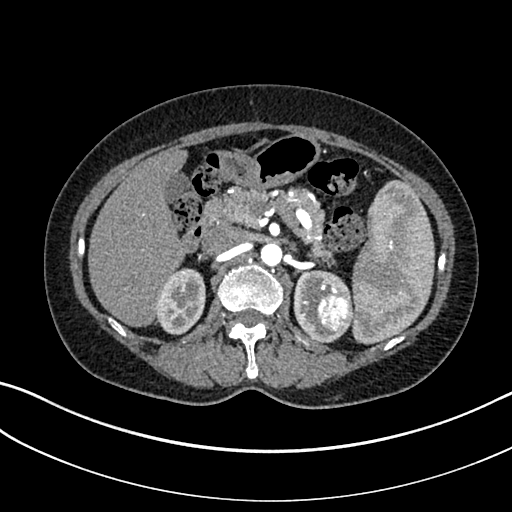
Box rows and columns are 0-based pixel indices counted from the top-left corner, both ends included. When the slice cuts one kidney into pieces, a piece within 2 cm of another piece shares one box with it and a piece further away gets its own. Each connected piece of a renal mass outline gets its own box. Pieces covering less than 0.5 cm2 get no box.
Slice 207/325 of a contrast-enhanced abdominal CT in the arterial phase, counting up from the lowest; pixel size 0.703 mm, slice thickness 1.00 mm. Boxed on this slice (two kidney boxes and one renal mass box), listed by box centre from the image's left to its right: (1) Right kidney, box rows 268–334, columns 156–205 (outlined area 2,608 px, about 12.9 cm2). (2) Box rows 269–342, columns 293–351: left kidney (outlined area 2,380 px, about 11.8 cm2). (3) Box rows 294–332, columns 316–352: left renal mass (outlined area 1,126 px, about 5.6 cm2).
Acquired at 100 kVp and reconstructed with the I30f kernel.